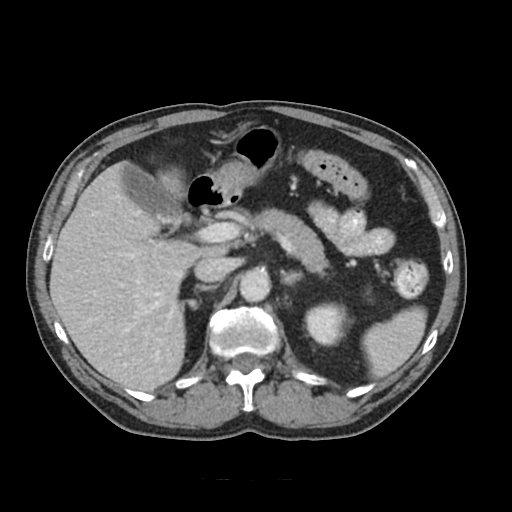
Axial slice 69 of 91 of a contrast-enhanced abdominal CT (slice 1 is the lowest), 120 kVp, kernel FC18; 5.00 mm slice thickness and 0.766 mm pixels.
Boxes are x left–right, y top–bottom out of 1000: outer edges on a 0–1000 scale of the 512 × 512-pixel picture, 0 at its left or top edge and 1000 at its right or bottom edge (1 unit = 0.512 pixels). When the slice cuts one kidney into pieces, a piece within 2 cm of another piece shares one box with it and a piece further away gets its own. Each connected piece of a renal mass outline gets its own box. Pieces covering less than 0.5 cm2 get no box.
Box x 594–693, y 590–678 out of 1000: left kidney (outlined area 1,649 px, about 9.7 cm2). No renal mass is outlined on this slice.